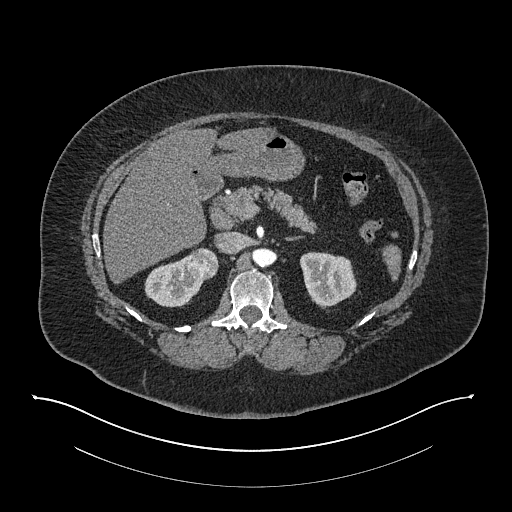
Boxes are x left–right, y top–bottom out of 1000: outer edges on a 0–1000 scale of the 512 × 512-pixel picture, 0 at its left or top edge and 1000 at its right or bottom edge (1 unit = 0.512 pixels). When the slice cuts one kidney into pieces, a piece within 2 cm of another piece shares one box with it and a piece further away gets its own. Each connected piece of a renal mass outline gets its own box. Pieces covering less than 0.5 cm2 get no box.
Slice 526/673 of a contrast-enhanced abdominal CT in the arterial phase, counting up from the lowest; pixel size 0.957 mm, slice thickness 1.00 mm. Two kidney boxes and one renal mass box on this slice; by box centre, from the image's left to its right: (1) Right kidney, box x 281–400, y 498–602 out of 1000 (outlined area 1,997 px, about 18.3 cm2). (2) Right renal mass at x 365–428, y 482–547 out of 1000 (outlined area 812 px, about 7.4 cm2). (3) Left kidney, box x 586–697, y 492–604 out of 1000 (outlined area 2,433 px, about 22.3 cm2).
Acquired at 140 kVp and reconstructed with the I30f kernel.